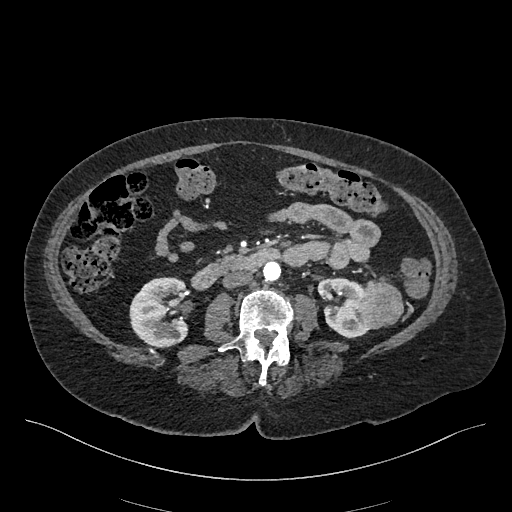
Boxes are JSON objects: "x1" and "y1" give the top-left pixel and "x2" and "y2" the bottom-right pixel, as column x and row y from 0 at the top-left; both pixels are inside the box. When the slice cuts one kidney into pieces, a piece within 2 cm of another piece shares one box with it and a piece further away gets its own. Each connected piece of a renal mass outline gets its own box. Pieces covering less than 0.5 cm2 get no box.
Arterial-phase contrast-enhanced abdominal CT, axial slice 216 of 548 (counted from the lowest slice); 1.00 mm thick, 0.852 mm per pixel. Two kidney boxes and one renal mass box on this slice; by box centre, from the image's left to its right: (1) Right kidney at {"x1": 129, "y1": 277, "x2": 187, "y2": 348} (outlined area 3,369 px, about 24.4 cm2). (2) Box {"x1": 317, "y1": 277, "x2": 368, "y2": 338}: left kidney (outlined area 2,168 px, about 15.7 cm2). (3) Left renal mass, box {"x1": 358, "y1": 276, "x2": 403, "y2": 329} (outlined area 1,788 px, about 13.0 cm2).
Acquired at 120 kVp and reconstructed with the I26f kernel.